One axial slice (253 of 349, counting up from the lowest) of an arterial-phase abdominal CT acquired with 120 kVp, kernel STANDARD; each pixel is 0.742 mm and the slice is 1.25 mm thick.
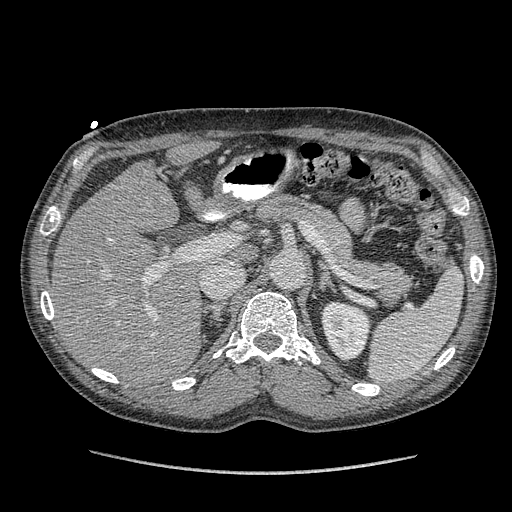
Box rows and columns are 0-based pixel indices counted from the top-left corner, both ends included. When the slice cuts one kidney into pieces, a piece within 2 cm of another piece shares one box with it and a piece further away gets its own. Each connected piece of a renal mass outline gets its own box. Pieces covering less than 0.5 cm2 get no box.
Left kidney at rows 301–362, columns 321–370 (outlined area 2,311 px, about 12.7 cm2). No renal mass is outlined on this slice.